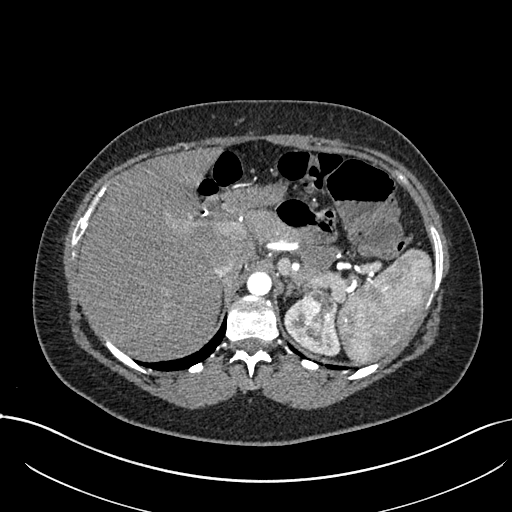
Arterial-phase contrast-enhanced abdominal CT, axial slice 552 of 738 (counted from the lowest slice); tube voltage 120 kVp, convolution kernel I30f; slices 1.00 mm thick, 0.789 mm per pixel.
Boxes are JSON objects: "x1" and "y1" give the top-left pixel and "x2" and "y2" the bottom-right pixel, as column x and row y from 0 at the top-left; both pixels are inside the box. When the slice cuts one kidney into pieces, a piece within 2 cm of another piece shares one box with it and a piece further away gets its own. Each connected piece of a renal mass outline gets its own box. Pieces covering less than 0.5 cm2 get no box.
Boxed on this slice (one kidney box and one renal mass box), listed by box centre from the image's left to its right: (1) Box {"x1": 284, "y1": 299, "x2": 339, "y2": 356}: left kidney (outlined area 1,330 px, about 8.3 cm2). (2) Left renal mass at {"x1": 301, "y1": 289, "x2": 335, "y2": 338} (outlined area 1,416 px, about 8.8 cm2).